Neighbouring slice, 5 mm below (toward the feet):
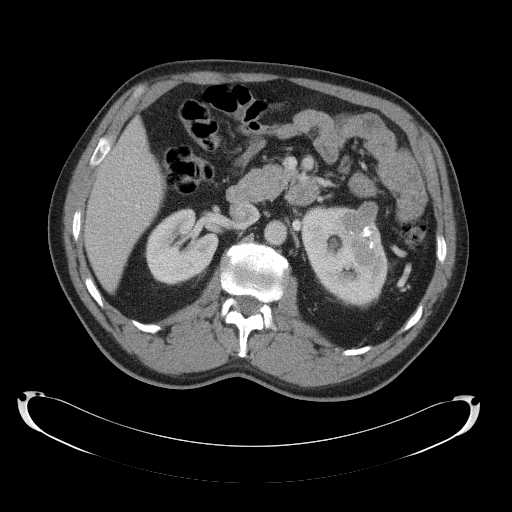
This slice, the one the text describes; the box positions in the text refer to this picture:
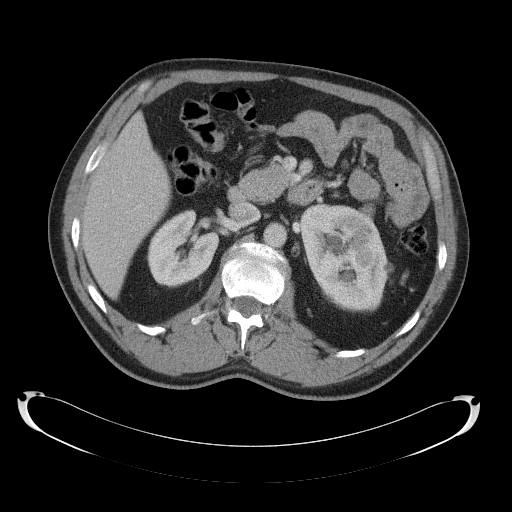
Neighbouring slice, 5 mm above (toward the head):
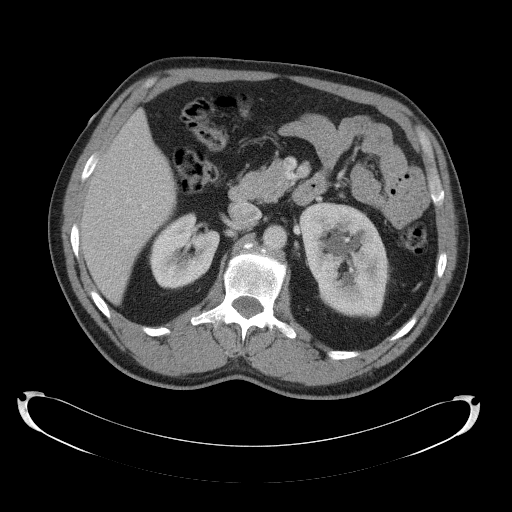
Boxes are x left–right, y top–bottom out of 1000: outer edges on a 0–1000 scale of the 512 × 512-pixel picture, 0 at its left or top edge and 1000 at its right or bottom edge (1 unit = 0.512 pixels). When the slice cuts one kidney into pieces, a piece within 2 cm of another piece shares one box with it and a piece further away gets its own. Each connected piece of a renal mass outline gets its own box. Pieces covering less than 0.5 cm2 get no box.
This is axial slice 72 of 145 (slice 1 is the lowest) of an abdominal CT with contrast; each pixel is 0.859 mm and the slice is 5.00 mm thick. Three boxes on this slice (two kidney boxes and one renal mass box), listed by box centre from the image's left to its right. (1) Box x 285–430, y 408–563 out of 1000: right kidney (outlined area 4,043 px, about 29.9 cm2). (2) Left kidney at x 584–770, y 395–611 out of 1000 (outlined area 7,457 px, about 55.1 cm2). (3) Box x 699–734, y 395–430 out of 1000: left renal mass (outlined area 184 px, about 1.4 cm2). This slice lies near the end of the left renal mass toward the head; the slices 5 mm below and 5 mm above it are shown too, and the boxes mark positions on this slice only.
Acquired at 120 kVp and reconstructed with the B41f kernel.